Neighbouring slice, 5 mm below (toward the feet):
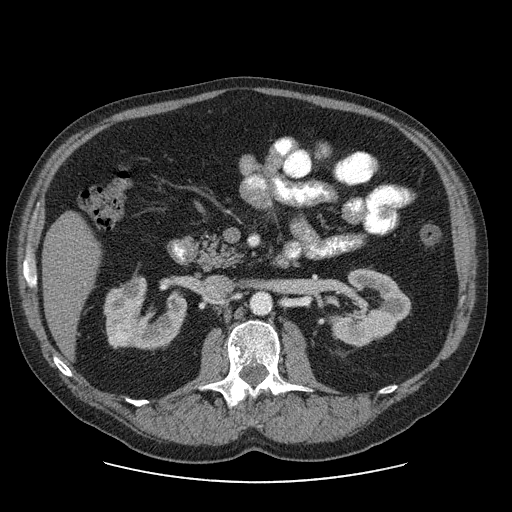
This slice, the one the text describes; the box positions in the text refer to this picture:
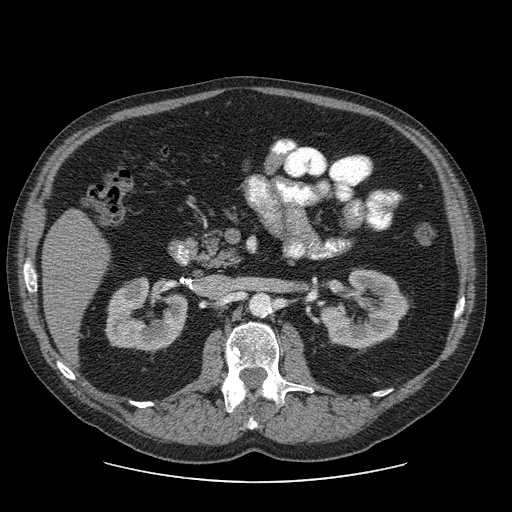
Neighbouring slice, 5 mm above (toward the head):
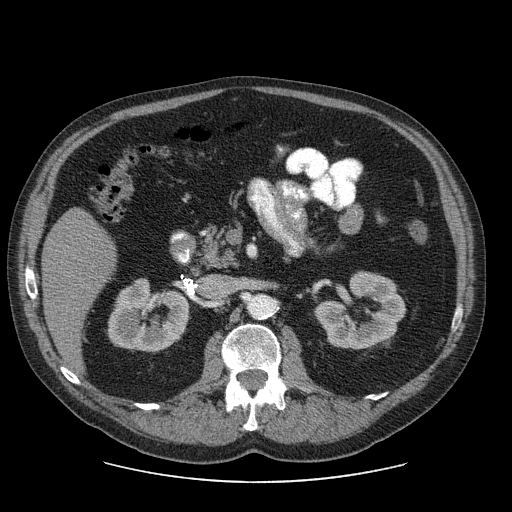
Abdominal CT with intravenous contrast, axial plane, 120 kVp, kernel STANDARD. Slice 43/103 from the bottom of the scan; thickness 2.50 mm; pixel size 0.820 mm.
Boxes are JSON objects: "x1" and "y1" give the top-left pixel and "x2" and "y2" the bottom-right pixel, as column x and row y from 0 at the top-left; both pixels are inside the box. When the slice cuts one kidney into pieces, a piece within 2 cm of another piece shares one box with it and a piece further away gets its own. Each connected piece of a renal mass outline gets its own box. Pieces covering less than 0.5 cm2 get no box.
Boxed on this slice (two kidney boxes and one renal mass box), listed by box centre from the image's left to its right: (1) Right renal mass at {"x1": 123, "y1": 324, "x2": 137, "y2": 336} (outlined area 123 px, about 0.8 cm2). (2) Box {"x1": 105, "y1": 276, "x2": 187, "y2": 351}: right kidney (outlined area 4,264 px, about 28.7 cm2). (3) Box {"x1": 319, "y1": 268, "x2": 408, "y2": 347}: left kidney (outlined area 4,624 px, about 31.1 cm2). This slice is near the end of the right renal mass toward the head, so the slices 5 mm below and 5 mm above it are shown as well; the boxes refer to this slice only.